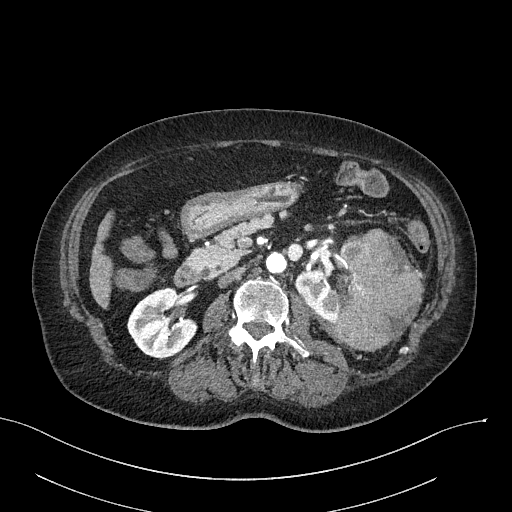
Arterial-phase contrast-enhanced abdominal CT, axial slice 130 of 316 (counted from the lowest slice); tube voltage 100 kVp, convolution kernel I40f; slices 2.00 mm thick, 0.840 mm per pixel.
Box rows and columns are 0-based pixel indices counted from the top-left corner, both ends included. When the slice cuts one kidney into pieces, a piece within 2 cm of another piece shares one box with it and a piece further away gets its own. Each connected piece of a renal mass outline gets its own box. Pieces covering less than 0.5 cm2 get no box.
Boxed on this slice (two kidney boxes and one renal mass box), listed by box centre from the image's left to its right: (1) Box rows 287–357, columns 127–197: right kidney (outlined area 3,524 px, about 24.9 cm2). (2) Box rows 246–323, columns 294–349: left kidney (outlined area 2,578 px, about 18.2 cm2). (3) Box rows 228–350, columns 333–423: left renal mass (outlined area 7,855 px, about 55.4 cm2).